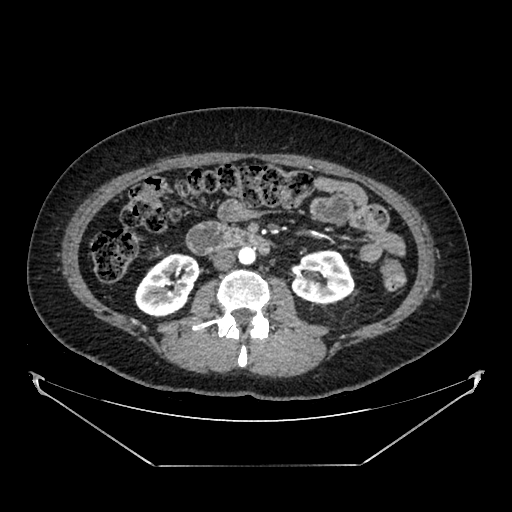
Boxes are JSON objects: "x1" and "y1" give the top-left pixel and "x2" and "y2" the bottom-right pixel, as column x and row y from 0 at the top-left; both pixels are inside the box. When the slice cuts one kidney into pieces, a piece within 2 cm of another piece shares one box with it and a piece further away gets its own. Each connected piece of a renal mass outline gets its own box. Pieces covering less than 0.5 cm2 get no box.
This is axial slice 210 of 383 (slice 1 is the lowest) of an arterial-phase abdominal CT with contrast; each pixel is 0.898 mm and the slice is 1.25 mm thick. Two boxes on this slice (two kidney boxes), listed by box centre from the image's left to its right. (1) Right kidney at {"x1": 134, "y1": 253, "x2": 200, "y2": 317} (outlined area 2,963 px, about 23.9 cm2). (2) Left kidney at {"x1": 290, "y1": 249, "x2": 354, "y2": 303} (outlined area 2,659 px, about 21.5 cm2). No renal mass outline on this slice.
Scan settings: 100 kVp, SOFT reconstruction kernel.